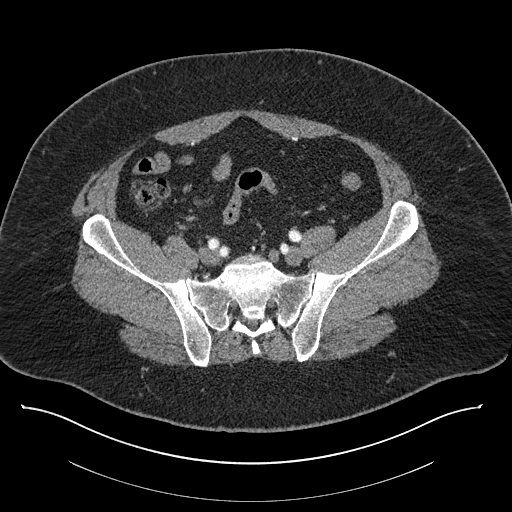
Axial slice 165 of 787 of a contrast-enhanced abdominal CT (slice 1 is the lowest), 140 kVp, kernel I30f; 1.00 mm slice thickness and 0.910 mm pixels.
This slice carries no outline: it lies beyond the outlined kidneys and beyond every outlined renal mass. Other organs are not outlined in this scan.